One axial slice (124 of 164, counting up from the lowest) of an arterial-phase abdominal CT acquired with 130 kVp, kernel B30s; each pixel is 0.664 mm and the slice is 3.00 mm thick.
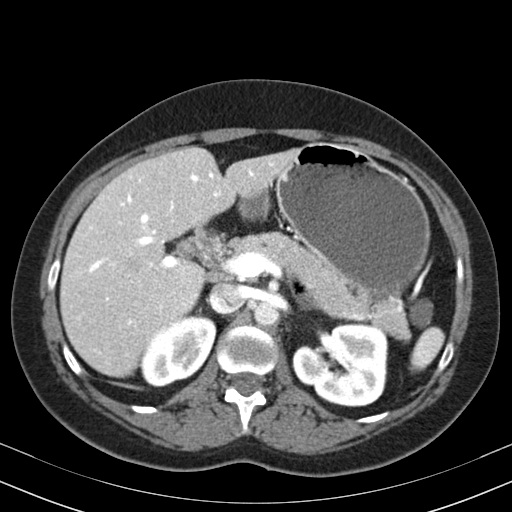
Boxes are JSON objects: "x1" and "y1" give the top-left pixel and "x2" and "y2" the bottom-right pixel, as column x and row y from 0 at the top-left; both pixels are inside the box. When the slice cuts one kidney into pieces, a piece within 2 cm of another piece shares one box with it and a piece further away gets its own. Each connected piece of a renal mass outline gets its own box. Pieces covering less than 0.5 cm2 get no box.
Two boxes on this slice (two kidney boxes), listed by box centre from the image's left to its right. (1) Right kidney at {"x1": 140, "y1": 314, "x2": 216, "y2": 386} (outlined area 3,835 px, about 16.9 cm2). (2) Box {"x1": 292, "y1": 322, "x2": 388, "y2": 406}: left kidney (outlined area 6,196 px, about 27.3 cm2). This slice carries no renal mass outline.